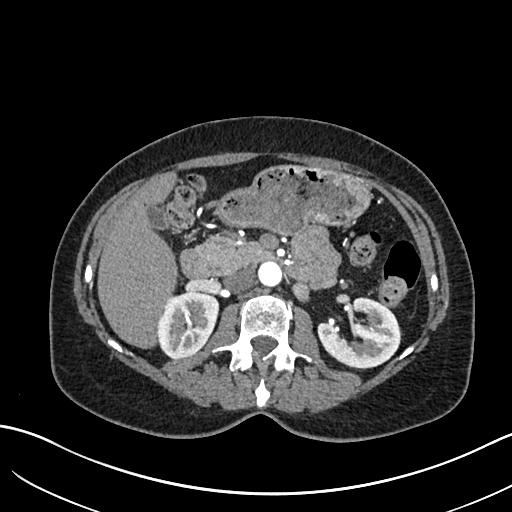
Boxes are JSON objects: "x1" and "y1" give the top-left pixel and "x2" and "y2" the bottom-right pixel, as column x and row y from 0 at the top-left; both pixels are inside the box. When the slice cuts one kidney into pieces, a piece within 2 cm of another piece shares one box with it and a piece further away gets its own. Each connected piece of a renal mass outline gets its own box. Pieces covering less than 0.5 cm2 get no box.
This is axial slice 386 of 683 (slice 1 is the lowest) of an arterial-phase abdominal CT with contrast; each pixel is 0.738 mm and the slice is 1.00 mm thick. Two boxes on this slice (two kidney boxes), listed by box centre from the image's left to its right. (1) Right kidney, box {"x1": 157, "y1": 291, "x2": 219, "y2": 358} (outlined area 3,264 px, about 17.8 cm2). (2) Box {"x1": 317, "y1": 297, "x2": 400, "y2": 369}: left kidney (outlined area 4,087 px, about 22.3 cm2). No renal mass outline on this slice.
Acquired at 120 kVp and reconstructed with the I30f kernel.